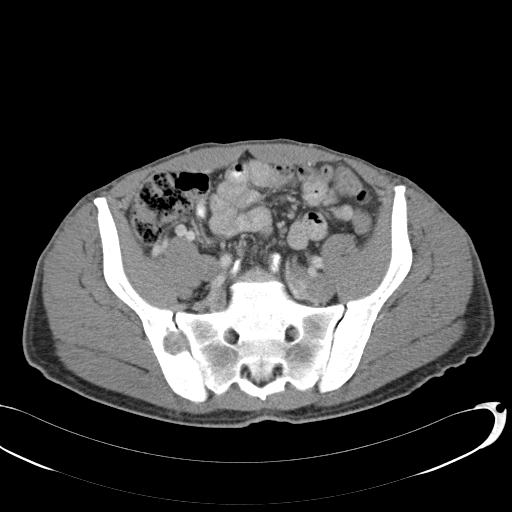
Axial slice 38 of 146 of a contrast-enhanced abdominal CT (slice 1 is the lowest), 120 kVp, kernel B31f; 5.00 mm slice thickness and 0.742 mm pixels.
Neither a kidney nor a renal mass is outlined here. Only kidneys and renal masses are outlined anywhere in this scan; other structures are never outlined.